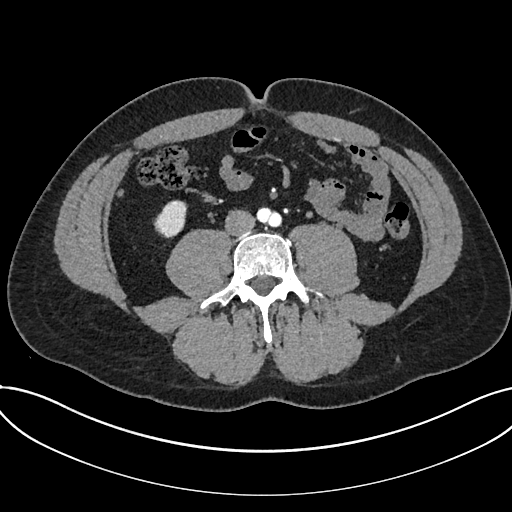
One axial slice (272 of 735, counting up from the lowest) of an arterial-phase abdominal CT acquired with 120 kVp, kernel I30f; each pixel is 0.789 mm and the slice is 1.00 mm thick.
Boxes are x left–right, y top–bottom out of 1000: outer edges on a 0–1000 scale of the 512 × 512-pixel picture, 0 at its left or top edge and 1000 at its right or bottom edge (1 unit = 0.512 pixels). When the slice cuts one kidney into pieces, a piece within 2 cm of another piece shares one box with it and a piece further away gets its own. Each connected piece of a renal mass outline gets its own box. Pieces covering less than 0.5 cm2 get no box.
Kidney, box x 299–367, y 391–467 out of 1000 (outlined area 947 px, about 5.9 cm2). No renal mass is outlined on this slice.